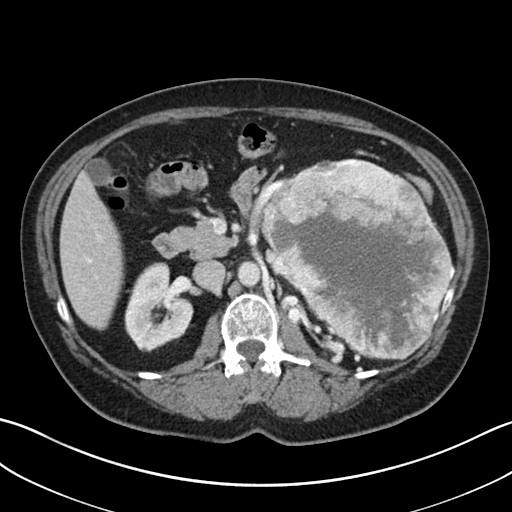
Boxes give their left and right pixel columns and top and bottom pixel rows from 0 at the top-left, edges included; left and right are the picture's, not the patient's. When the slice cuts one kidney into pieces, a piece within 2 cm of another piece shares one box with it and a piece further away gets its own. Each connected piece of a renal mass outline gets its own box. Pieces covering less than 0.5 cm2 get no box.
Contrast-enhanced abdominal CT, axial slice 20 of 38 (counted from the lowest slice); 5.00 mm thick, 0.730 mm per pixel. Two boxes on this slice (one kidney box and one renal mass box), listed by box centre from the image's left to its right. (1) Box with left 124, top 262, right 193, bottom 351: right kidney (outlined area 4,341 px, about 23.2 cm2). (2) Left renal mass, the box with left 260, top 158, right 455, bottom 360 (outlined area 27,137 px, about 144.8 cm2); on this slice it lies more than 1 cm from any kidney outline, but the same outlined renal mass comes within 1 cm of the kidney on another slice.
Scan settings: 100 kVp, I30f reconstruction kernel.